Abdominal CT with intravenous contrast, arterial phase, axial plane, 120 kVp, kernel I30f. Slice 293/527 from the bottom of the scan; thickness 1.00 mm; pixel size 0.859 mm.
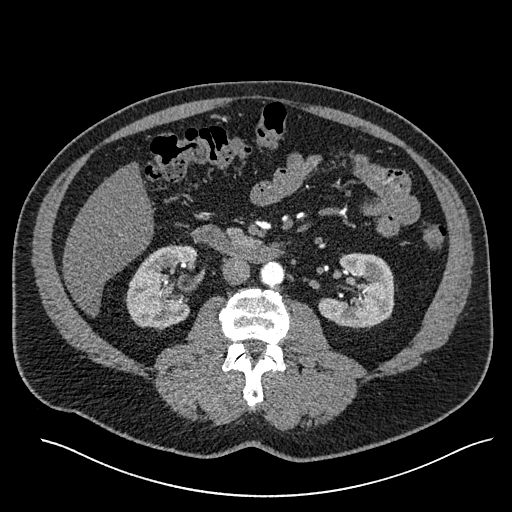
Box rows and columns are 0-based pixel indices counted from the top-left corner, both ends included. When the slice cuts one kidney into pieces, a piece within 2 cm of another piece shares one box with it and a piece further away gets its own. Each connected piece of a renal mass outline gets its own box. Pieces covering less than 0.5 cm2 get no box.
Two boxes on this slice (two kidney boxes), listed by box centre from the image's left to its right. (1) Box rows 245–330, columns 125–196: right kidney (outlined area 4,450 px, about 32.9 cm2). (2) Box rows 253–328, columns 317–394: left kidney (outlined area 4,095 px, about 30.2 cm2). No renal mass outline on this slice.